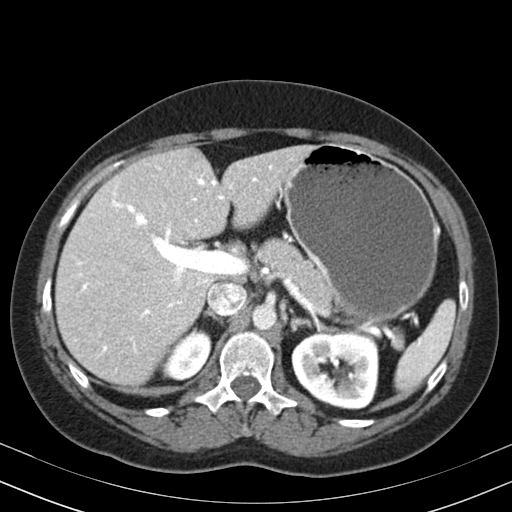
Axial slice 128 of 164 of a contrast-enhanced abdominal CT in the arterial phase (slice 1 is the lowest), 130 kVp, kernel B30s; 3.00 mm slice thickness and 0.664 mm pixels.
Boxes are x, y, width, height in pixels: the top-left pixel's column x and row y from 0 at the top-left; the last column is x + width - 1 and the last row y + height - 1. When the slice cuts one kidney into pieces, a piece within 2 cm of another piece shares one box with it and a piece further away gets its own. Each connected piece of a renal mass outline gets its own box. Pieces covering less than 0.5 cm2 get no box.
Two boxes on this slice (two kidney boxes), listed by box centre from the image's left to its right. (1) Right kidney, box x 163, y 330, width 49, height 50 (outlined area 1,661 px, about 7.3 cm2). (2) Left kidney at x 291, y 332, width 89, height 78 (outlined area 5,519 px, about 24.3 cm2). This slice carries no renal mass outline.